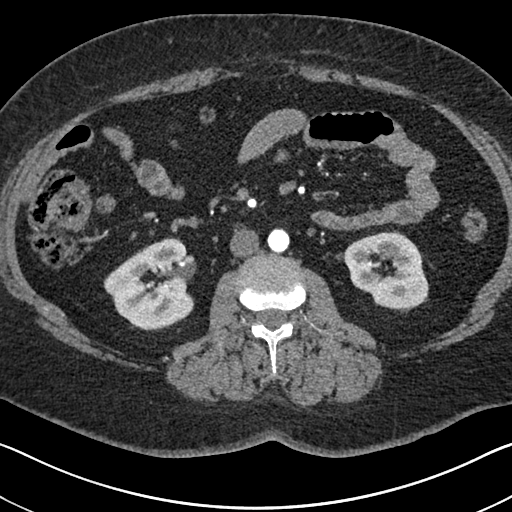
One axial slice (354 of 591, counting up from the lowest) of an arterial-phase abdominal CT acquired with 140 kVp, kernel I30f; each pixel is 0.703 mm and the slice is 1.00 mm thick.
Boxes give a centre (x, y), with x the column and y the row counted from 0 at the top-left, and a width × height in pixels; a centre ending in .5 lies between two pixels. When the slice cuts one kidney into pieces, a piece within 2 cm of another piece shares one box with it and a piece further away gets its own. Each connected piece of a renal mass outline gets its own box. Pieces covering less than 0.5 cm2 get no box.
Two kidney boxes on this slice; by box centre, from the image's left to its right: (1) Right kidney, box centre (148, 283.5), 91 × 94 pixels (outlined area 5,867 px, about 29.0 cm2). (2) Box centre (386, 270.5), 85 × 78 pixels: left kidney (outlined area 4,752 px, about 23.5 cm2). This slice carries no renal mass outline.